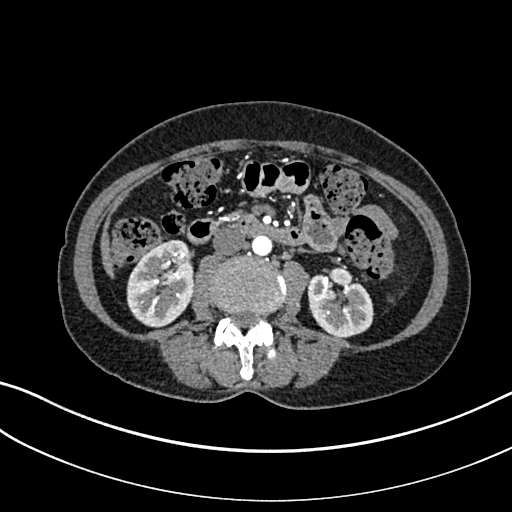
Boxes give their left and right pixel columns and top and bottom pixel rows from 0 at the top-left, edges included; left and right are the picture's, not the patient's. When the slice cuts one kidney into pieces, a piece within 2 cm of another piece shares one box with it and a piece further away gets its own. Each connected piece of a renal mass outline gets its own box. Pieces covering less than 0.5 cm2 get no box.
This is axial slice 126 of 325 (slice 1 is the lowest) of an arterial-phase abdominal CT with contrast; each pixel is 0.703 mm and the slice is 1.00 mm thick. Boxed on this slice (two kidney boxes), listed by box centre from the image's left to its right: (1) Right kidney in the box with left 126, top 239, right 194, bottom 327 (outlined area 4,560 px, about 22.5 cm2). (2) Left kidney in the box with left 307, top 267, right 373, bottom 337 (outlined area 3,469 px, about 17.2 cm2). This slice carries no renal mass outline.
Acquired at 100 kVp and reconstructed with the I30f kernel.